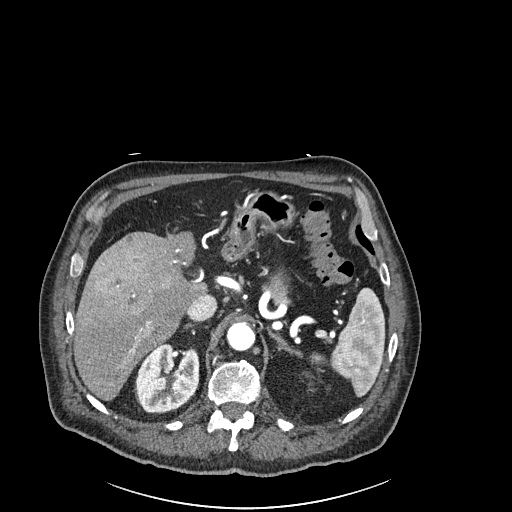
Axial slice 168 of 261 of a contrast-enhanced abdominal CT in the arterial phase (slice 1 is the lowest), 120 kVp, kernel I30f; 2.00 mm slice thickness and 0.939 mm pixels.
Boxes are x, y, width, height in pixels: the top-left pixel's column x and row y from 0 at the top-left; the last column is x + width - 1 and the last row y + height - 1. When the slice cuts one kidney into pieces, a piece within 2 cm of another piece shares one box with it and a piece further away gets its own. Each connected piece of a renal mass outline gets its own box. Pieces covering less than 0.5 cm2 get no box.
Right kidney at x 135, y 342, width 65, height 72 (outlined area 3,596 px, about 31.7 cm2). This slice carries no renal mass outline.